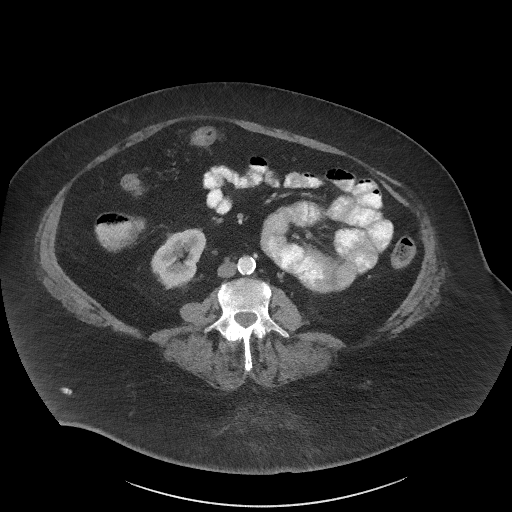
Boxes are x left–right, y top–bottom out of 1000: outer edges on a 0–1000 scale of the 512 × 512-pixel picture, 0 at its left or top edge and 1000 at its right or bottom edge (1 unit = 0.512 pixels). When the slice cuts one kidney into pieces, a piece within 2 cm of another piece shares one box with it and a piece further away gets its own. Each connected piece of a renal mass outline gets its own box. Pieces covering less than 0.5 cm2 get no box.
Arterial-phase contrast-enhanced abdominal CT, axial slice 14 of 61 (counted from the lowest slice); 3.00 mm thick, 0.947 mm per pixel. Box x 293–404, y 445–563 out of 1000: right kidney (outlined area 2,351 px, about 21.1 cm2). No renal mass is outlined on this slice.
Acquired at 140 kVp and reconstructed with the I41f kernel.